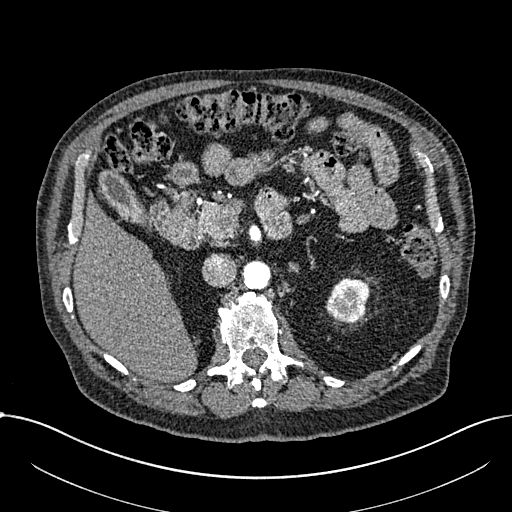
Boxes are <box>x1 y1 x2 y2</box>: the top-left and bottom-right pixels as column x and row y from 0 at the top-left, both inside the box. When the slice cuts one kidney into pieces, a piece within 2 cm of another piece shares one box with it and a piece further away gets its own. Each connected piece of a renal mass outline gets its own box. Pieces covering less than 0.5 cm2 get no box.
Slice 452/1059 of a contrast-enhanced abdominal CT in the arterial phase, counting up from the lowest; pixel size 0.811 mm, slice thickness 1.00 mm. At <box>325 277 370 323</box>: left part of the midline-crossing kidney (outlined area 1,583 px, about 10.4 cm2). This slice carries no renal mass outline.
Tube voltage 100 kVp; convolution kernel I30f.